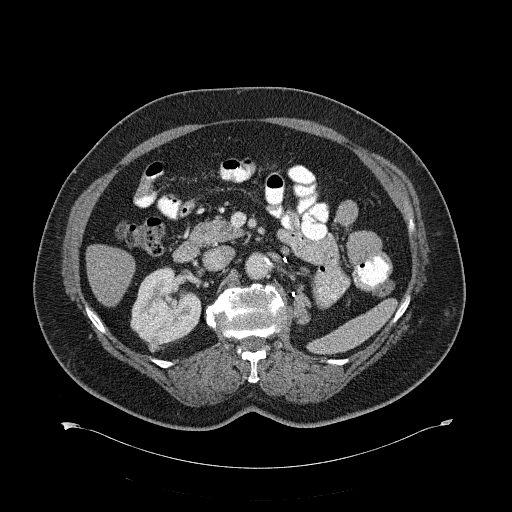
One axial slice (376 of 734, counting up from the lowest) of a contrast-enhanced abdominal CT acquired with 120 kVp, kernel B31f; each pixel is 0.971 mm and the slice is 2.00 mm thick.
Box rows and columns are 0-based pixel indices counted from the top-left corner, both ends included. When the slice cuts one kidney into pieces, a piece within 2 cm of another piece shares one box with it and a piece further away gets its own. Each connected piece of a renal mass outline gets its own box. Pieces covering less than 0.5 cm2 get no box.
One kidney box and one renal mass box on this slice; by box centre, from the image's left to its right: (1) Right renal mass, box rows 338–350, columns 147–159 (outlined area 127 px, about 1.2 cm2). (2) Right kidney, box rows 266–349, columns 130–201 (outlined area 4,003 px, about 37.7 cm2).